One axial slice (115 of 153, counting up from the lowest) of a contrast-enhanced abdominal CT acquired with 120 kVp, kernel I41f; each pixel is 0.893 mm and the slice is 3.00 mm thick.
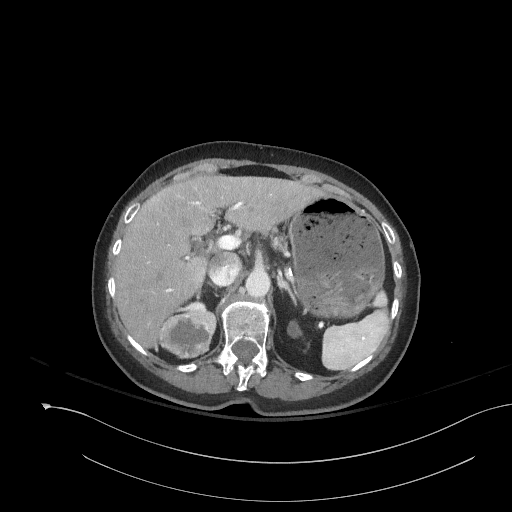
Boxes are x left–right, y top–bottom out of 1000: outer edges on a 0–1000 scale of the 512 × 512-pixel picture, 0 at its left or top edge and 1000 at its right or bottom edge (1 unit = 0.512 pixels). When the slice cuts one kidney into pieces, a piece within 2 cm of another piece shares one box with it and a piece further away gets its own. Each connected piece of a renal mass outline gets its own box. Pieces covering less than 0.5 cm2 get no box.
Two kidney boxes and one renal mass box on this slice; by box centre, from the image's left to its right: (1) Right renal mass, box x 311–424, y 605–701 out of 1000 (outlined area 2,238 px, about 17.8 cm2). (2) Box x 363–410, y 586–609 out of 1000: right kidney (outlined area 189 px, about 1.5 cm2). (3) Left kidney at x 561–592, y 625–660 out of 1000 (outlined area 202 px, about 1.6 cm2).